Arterial-phase contrast-enhanced abdominal CT, axial slice 93 of 129 (counted from the lowest slice); tube voltage 140 kVp, convolution kernel STANDARD; slices 3.75 mm thick, 0.938 mm per pixel.
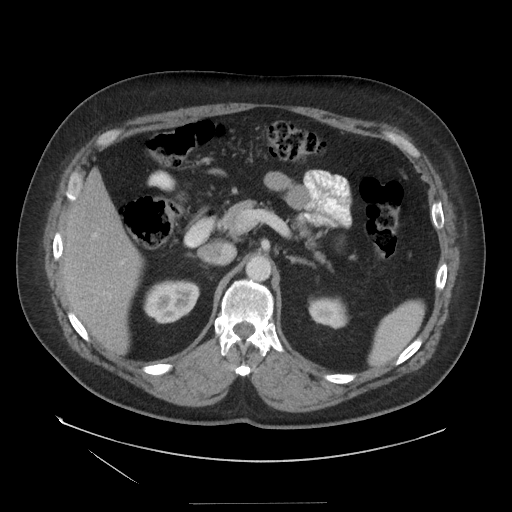
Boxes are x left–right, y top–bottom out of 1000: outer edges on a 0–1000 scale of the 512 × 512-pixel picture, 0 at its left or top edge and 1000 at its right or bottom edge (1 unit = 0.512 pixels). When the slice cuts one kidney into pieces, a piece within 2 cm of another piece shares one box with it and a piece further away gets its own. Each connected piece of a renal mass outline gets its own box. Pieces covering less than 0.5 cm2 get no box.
Two boxes on this slice (two kidney boxes), listed by box centre from the image's left to its right. (1) Right kidney at x 279–391, y 547–633 out of 1000 (outlined area 1,933 px, about 17.0 cm2). (2) Left kidney at x 602–682, y 580–645 out of 1000 (outlined area 1,055 px, about 9.3 cm2). No renal mass outline on this slice.